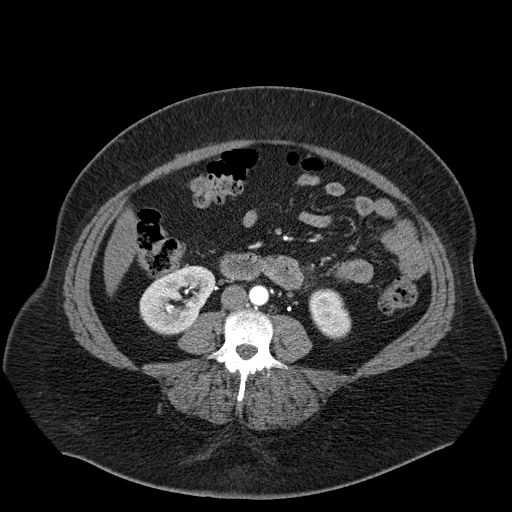
One axial slice (26 of 55, counting up from the lowest) of a contrast-enhanced abdominal CT acquired with 120 kVp, kernel B30f; each pixel is 0.908 mm and the slice is 5.00 mm thick.
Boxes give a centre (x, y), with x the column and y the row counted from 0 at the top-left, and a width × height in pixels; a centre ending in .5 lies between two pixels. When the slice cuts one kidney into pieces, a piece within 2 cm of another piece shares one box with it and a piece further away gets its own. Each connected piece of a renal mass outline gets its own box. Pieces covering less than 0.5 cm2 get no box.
Two kidney boxes on this slice; by box centre, from the image's left to its right: (1) Box centre (177, 300), 77 × 71 pixels: right kidney (outlined area 3,714 px, about 30.6 cm2). (2) Left kidney, box centre (329.5, 313.5), 44 × 52 pixels (outlined area 1,645 px, about 13.6 cm2). No renal mass is outlined on this slice.